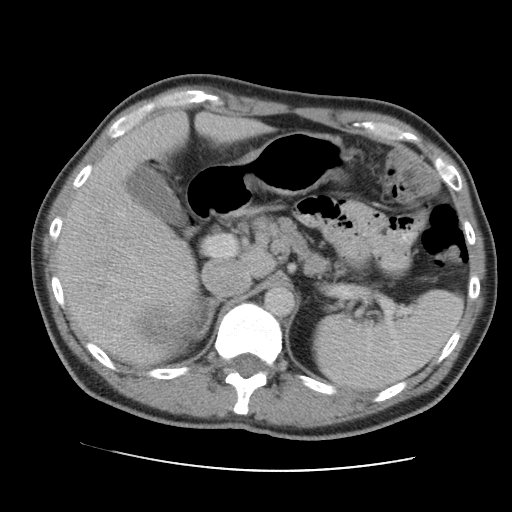
One axial slice (82 of 105, counting up from the lowest) of an arterial-phase abdominal CT acquired with 120 kVp, kernel STANDARD; each pixel is 0.707 mm and the slice is 5.00 mm thick.
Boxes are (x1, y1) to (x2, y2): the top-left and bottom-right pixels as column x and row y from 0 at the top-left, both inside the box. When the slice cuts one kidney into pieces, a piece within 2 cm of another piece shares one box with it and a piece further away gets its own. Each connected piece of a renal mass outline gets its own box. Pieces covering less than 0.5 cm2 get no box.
Right renal mass, box (130, 303) to (179, 347) (outlined area 1,825 px, about 9.1 cm2); no kidney outline appears on this slice, but the same outlined renal mass comes within 1 cm of the kidney on another slice.